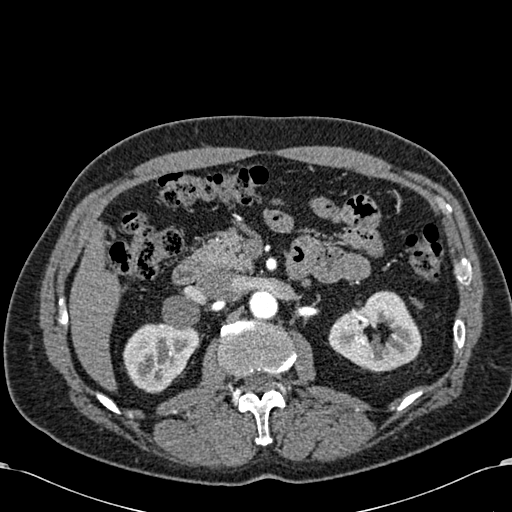
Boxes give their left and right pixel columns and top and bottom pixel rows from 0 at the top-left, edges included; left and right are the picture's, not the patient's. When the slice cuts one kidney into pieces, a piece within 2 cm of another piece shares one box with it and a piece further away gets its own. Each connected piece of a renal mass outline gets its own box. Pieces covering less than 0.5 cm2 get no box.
This is axial slice 380 of 581 (slice 1 is the lowest) of an arterial-phase abdominal CT with contrast; each pixel is 0.713 mm and the slice is 1.00 mm thick. Two boxes on this slice (two kidney boxes), listed by box centre from the image's left to its right. (1) Right kidney, the box with left 122, top 322, right 201, bottom 393 (outlined area 3,921 px, about 19.9 cm2). (2) Left kidney in the box with left 328, top 290, right 421, bottom 371 (outlined area 5,027 px, about 25.5 cm2). No renal mass outline on this slice.
Scan settings: 120 kVp, B30f reconstruction kernel.